One axial slice (435 of 634, counting up from the lowest) of an arterial-phase abdominal CT acquired with 120 kVp, kernel B20f; each pixel is 0.838 mm and the slice is 1.00 mm thick.
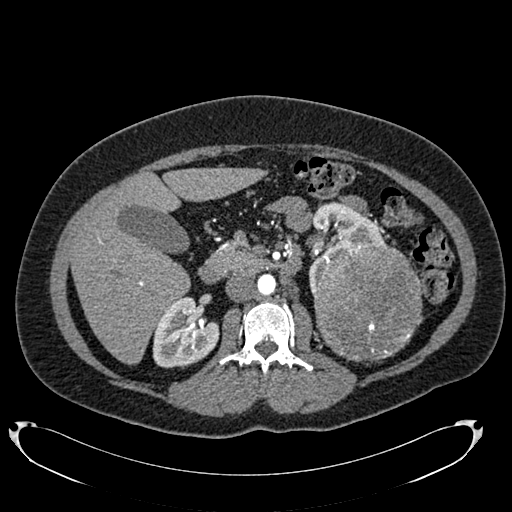
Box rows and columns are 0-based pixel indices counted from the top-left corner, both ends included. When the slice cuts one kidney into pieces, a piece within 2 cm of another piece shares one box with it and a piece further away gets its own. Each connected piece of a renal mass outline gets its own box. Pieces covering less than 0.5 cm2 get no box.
Boxed on this slice (two kidney boxes and one renal mass box), listed by box centre from the image's left to its right: (1) Right kidney at rows 296–368, columns 152–219 (outlined area 3,500 px, about 24.6 cm2). (2) Left kidney, box rows 201–292, columns 308–384 (outlined area 2,920 px, about 20.5 cm2). (3) Left renal mass at rows 243–361, columns 312–423 (outlined area 10,580 px, about 74.3 cm2).